One axial slice (267 of 445, counting up from the lowest) of an arterial-phase abdominal CT acquired with 120 kVp, kernel STANDARD; each pixel is 0.863 mm and the slice is 1.25 mm thick.
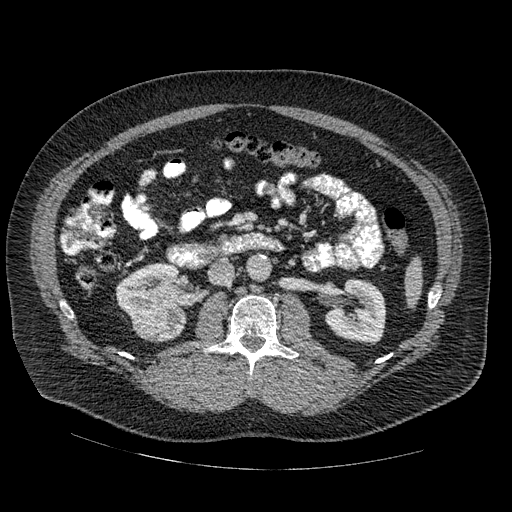
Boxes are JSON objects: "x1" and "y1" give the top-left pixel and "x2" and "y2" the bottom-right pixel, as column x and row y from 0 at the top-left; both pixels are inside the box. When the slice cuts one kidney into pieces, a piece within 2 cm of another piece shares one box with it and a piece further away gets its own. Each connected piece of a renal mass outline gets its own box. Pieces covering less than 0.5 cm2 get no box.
Two kidney boxes and one renal mass box on this slice; by box centre, from the image's left to its right: (1) Right kidney at {"x1": 116, "y1": 263, "x2": 186, "y2": 328} (outlined area 2,757 px, about 20.5 cm2). (2) Right renal mass at {"x1": 130, "y1": 305, "x2": 183, "y2": 342} (outlined area 1,543 px, about 11.5 cm2). (3) Left kidney, box {"x1": 324, "y1": 279, "x2": 386, "y2": 343} (outlined area 2,950 px, about 22.0 cm2).